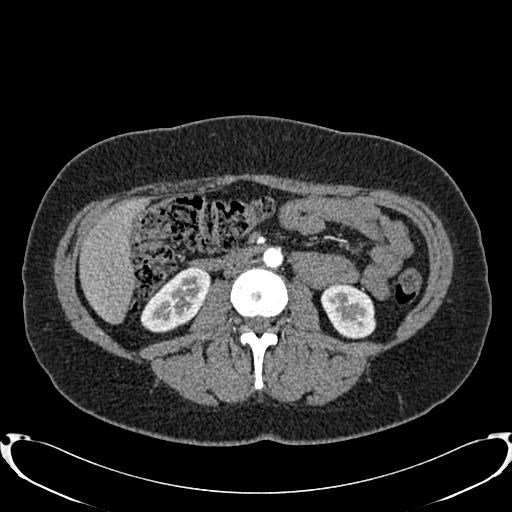
Axial slice 409 of 719 of a contrast-enhanced abdominal CT in the arterial phase (slice 1 is the lowest), 120 kVp, kernel B20f; 1.00 mm slice thickness and 0.766 mm pixels.
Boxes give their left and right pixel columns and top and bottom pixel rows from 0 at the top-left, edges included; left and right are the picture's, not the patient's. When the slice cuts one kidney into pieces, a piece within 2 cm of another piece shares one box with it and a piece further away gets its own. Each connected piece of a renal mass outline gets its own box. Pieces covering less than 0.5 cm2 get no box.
Boxed on this slice (two kidney boxes), listed by box centre from the image's left to its right: (1) Right kidney, the box with left 140, top 267, right 210, bottom 332 (outlined area 2,969 px, about 17.4 cm2). (2) Box with left 320, top 282, right 376, bottom 338: left kidney (outlined area 2,365 px, about 13.9 cm2). This slice carries no renal mass outline.